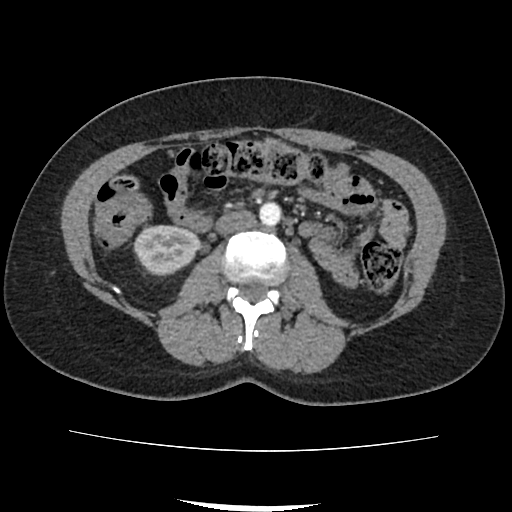
Axial slice 39 of 103 of a contrast-enhanced abdominal CT (slice 1 is the lowest), 120 kVp, kernel FC18; 3.00 mm slice thickness and 0.714 mm pixels.
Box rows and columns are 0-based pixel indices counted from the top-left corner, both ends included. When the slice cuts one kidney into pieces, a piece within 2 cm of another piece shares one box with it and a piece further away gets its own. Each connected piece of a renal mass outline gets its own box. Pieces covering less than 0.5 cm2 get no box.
Box rows 225–275, columns 133–200: right kidney (outlined area 2,598 px, about 13.2 cm2). No renal mass is outlined on this slice.